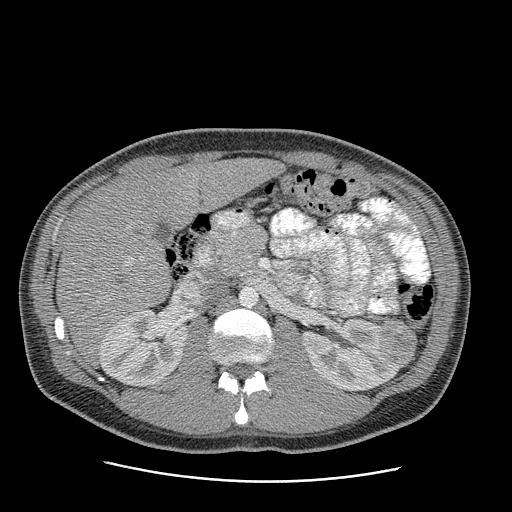
Arterial-phase contrast-enhanced abdominal CT, axial slice 152 of 199 (counted from the lowest slice); tube voltage 120 kVp, convolution kernel STANDARD; slices 2.50 mm thick, 0.789 mm per pixel.
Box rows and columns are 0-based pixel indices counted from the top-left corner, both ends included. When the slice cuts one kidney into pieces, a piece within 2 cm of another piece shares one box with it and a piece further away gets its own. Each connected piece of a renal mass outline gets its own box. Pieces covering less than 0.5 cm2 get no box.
Boxed on this slice (two kidney boxes and one renal mass box), listed by box centre from the image's left to its right: (1) Right kidney at rows 310–387, columns 99–188 (outlined area 5,229 px, about 32.6 cm2). (2) Left kidney, box rows 317–391, columns 303–402 (outlined area 5,000 px, about 31.1 cm2). (3) Left renal mass at rows 321–364, columns 378–417 (outlined area 1,367 px, about 8.5 cm2).